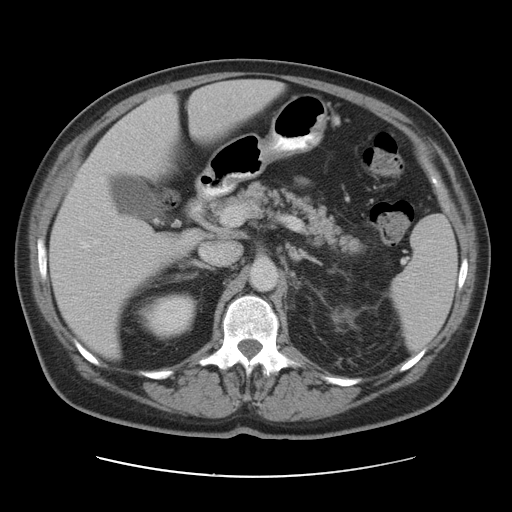
Abdominal CT with intravenous contrast, axial plane, 120 kVp, kernel STANDARD. Slice 69/95 from the bottom of the scan; thickness 5.00 mm; pixel size 0.781 mm.
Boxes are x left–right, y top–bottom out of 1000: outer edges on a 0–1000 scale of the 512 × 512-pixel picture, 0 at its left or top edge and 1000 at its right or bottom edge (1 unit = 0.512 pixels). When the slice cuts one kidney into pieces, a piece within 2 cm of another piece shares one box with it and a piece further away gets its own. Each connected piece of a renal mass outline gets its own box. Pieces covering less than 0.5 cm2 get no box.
Right kidney, box x 264–387, y 570–666 out of 1000 (outlined area 2,188 px, about 13.4 cm2). No renal mass is outlined on this slice.